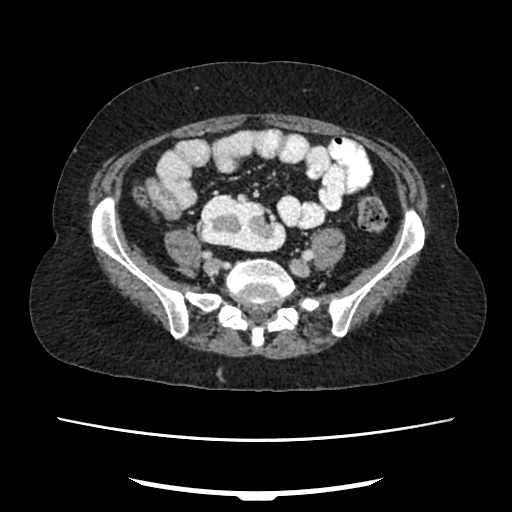
Abdominal CT with intravenous contrast, arterial phase, axial plane, 120 kVp, kernel FC18. Slice 82/207 from the bottom of the scan; thickness 2.00 mm; pixel size 0.741 mm.
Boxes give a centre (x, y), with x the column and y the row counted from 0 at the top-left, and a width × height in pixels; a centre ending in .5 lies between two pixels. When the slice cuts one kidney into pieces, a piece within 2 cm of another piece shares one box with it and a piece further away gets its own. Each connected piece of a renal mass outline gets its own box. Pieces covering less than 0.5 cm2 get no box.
Right kidney, box centre (243, 222.5), 87 × 58 pixels (outlined area 3,812 px, about 20.9 cm2). No renal mass outline on this slice.